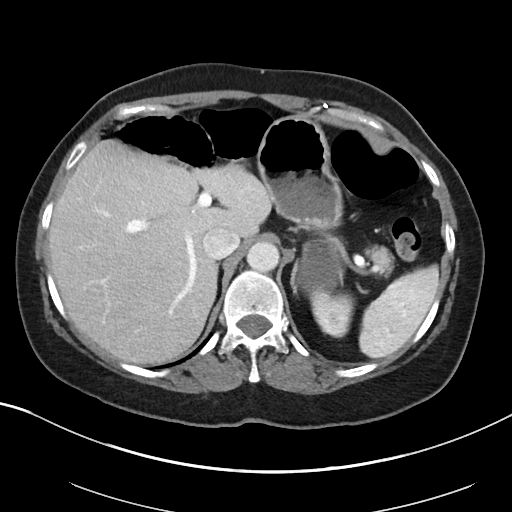
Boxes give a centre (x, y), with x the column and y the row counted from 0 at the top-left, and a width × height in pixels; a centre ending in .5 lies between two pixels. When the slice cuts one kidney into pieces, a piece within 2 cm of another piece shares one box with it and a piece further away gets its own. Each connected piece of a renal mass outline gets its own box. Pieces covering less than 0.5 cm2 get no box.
Slice 70/88 of a contrast-enhanced abdominal CT in the arterial phase, counting up from the lowest; pixel size 0.705 mm, slice thickness 5.00 mm. Box centre (332, 314), 45 × 47 pixels: left kidney (outlined area 1,613 px, about 8.0 cm2). This slice carries no renal mass outline.
Acquired at 100 kVp and reconstructed with the I40f kernel.